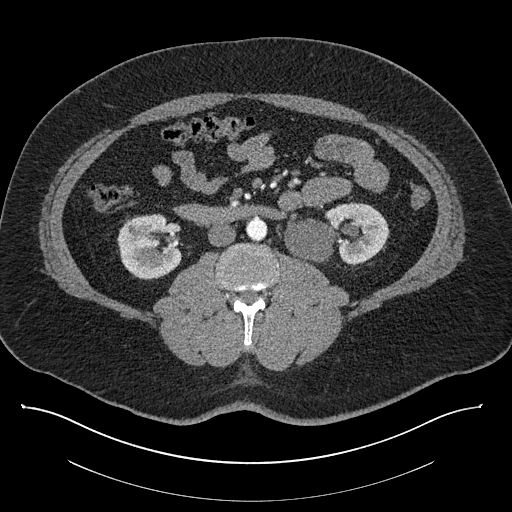
Abdominal CT with intravenous contrast, axial plane, 140 kVp, kernel I30f. Slice 434/787 from the bottom of the scan; thickness 1.00 mm; pixel size 0.910 mm.
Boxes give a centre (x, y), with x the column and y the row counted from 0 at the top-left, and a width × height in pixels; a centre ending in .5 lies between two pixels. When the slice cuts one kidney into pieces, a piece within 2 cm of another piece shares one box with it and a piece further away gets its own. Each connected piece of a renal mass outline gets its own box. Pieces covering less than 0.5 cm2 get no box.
Boxed on this slice (two kidney boxes), listed by box centre from the image's left to its right: (1) Right kidney in a box with centre (149.5, 246), 66 × 67 pixels (outlined area 3,298 px, about 27.3 cm2). (2) Box centre (336.5, 233), 106 × 63 pixels: left kidney (outlined area 4,684 px, about 38.8 cm2). No renal mass outline on this slice.